Axial slice 67 of 304 of a contrast-enhanced abdominal CT in the arterial phase (slice 1 is the lowest), 100 kVp, kernel I30f; 2.00 mm slice thickness and 0.809 mm pixels.
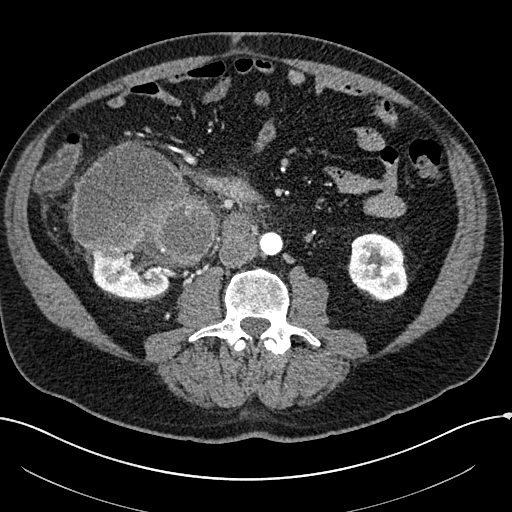
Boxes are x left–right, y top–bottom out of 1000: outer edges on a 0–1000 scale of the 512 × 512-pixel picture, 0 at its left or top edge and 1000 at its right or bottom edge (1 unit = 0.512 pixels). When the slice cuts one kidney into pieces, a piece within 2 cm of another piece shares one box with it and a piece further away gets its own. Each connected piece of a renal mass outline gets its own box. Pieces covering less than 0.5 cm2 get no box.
Three boxes on this slice (two kidney boxes and one renal mass box), listed by box centre from the image's left to its right. (1) Box x 172–342, y 492–586 out of 1000: right kidney (outlined area 2,776 px, about 18.2 cm2). (2) Right renal mass, box x 137–426, y 279–527 out of 1000 (outlined area 13,420 px, about 87.7 cm2). (3) Box x 678–801, y 453–590 out of 1000: left kidney (outlined area 3,254 px, about 21.3 cm2).